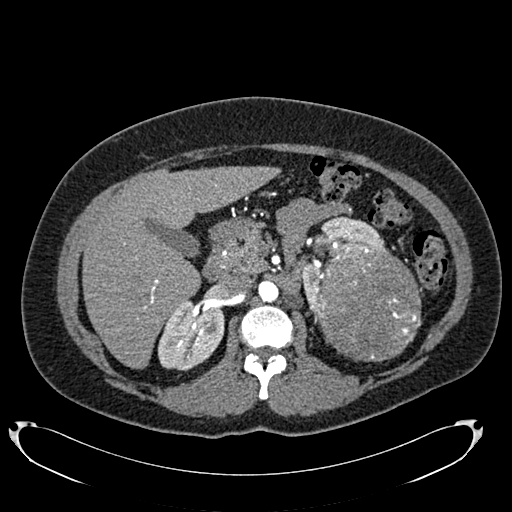
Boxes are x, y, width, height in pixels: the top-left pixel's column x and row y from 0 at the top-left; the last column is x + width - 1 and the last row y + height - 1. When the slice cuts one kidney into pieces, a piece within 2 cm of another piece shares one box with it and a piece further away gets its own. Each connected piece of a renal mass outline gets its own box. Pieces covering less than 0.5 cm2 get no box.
This is axial slice 463 of 634 (slice 1 is the lowest) of an arterial-phase abdominal CT with contrast; each pixel is 0.838 mm and the slice is 1.00 mm thick. Three boxes on this slice (two kidney boxes and one renal mass box), listed by box centre from the image's left to its right. (1) Right kidney, box x 157, y 299, width 68, height 72 (outlined area 3,561 px, about 25.0 cm2). (2) Left kidney at x 300, y 216, width 86, height 98 (outlined area 2,552 px, about 17.9 cm2). (3) Left renal mass at x 314, y 243, width 108, height 119 (outlined area 10,111 px, about 71.0 cm2).
Scan settings: 120 kVp, B20f reconstruction kernel.